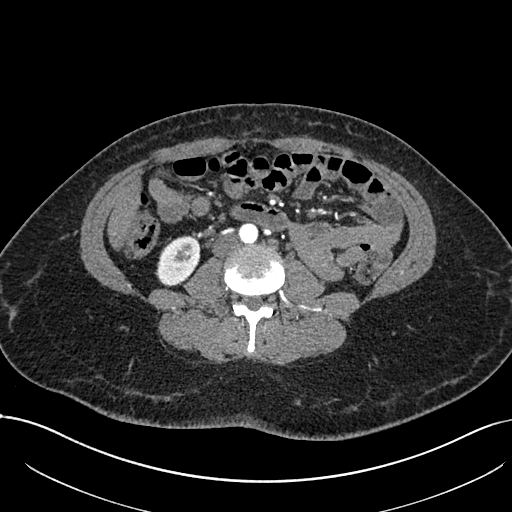
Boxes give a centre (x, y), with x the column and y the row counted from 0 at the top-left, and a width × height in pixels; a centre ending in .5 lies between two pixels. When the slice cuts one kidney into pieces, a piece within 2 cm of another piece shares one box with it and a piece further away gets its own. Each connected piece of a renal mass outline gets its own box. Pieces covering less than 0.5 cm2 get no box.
Arterial-phase contrast-enhanced abdominal CT, axial slice 322 of 738 (counted from the lowest slice); 1.00 mm thick, 0.789 mm per pixel. Right kidney in a box with centre (177, 260.5), 45 × 52 pixels (outlined area 1,677 px, about 10.4 cm2). No renal mass is outlined on this slice.
Tube voltage 120 kVp; convolution kernel I30f.